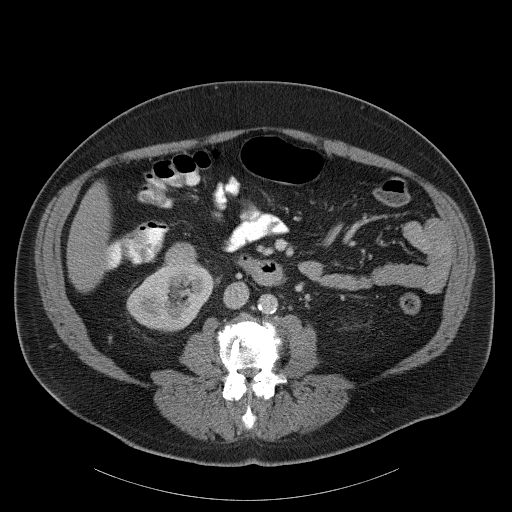
Contrast-enhanced abdominal CT, axial slice 57 of 107 (counted from the lowest slice); tube voltage 120 kVp, convolution kernel B31f; slices 5.00 mm thick, 0.941 mm per pixel.
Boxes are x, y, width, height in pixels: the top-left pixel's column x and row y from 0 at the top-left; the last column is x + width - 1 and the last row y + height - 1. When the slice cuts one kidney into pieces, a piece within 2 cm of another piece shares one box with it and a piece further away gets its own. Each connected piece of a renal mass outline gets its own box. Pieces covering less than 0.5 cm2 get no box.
Two boxes on this slice (one kidney box and one renal mass box), listed by box centre from the image's left to its right. (1) Box x 126, y 262, width 89, height 71: right kidney (outlined area 4,138 px, about 36.7 cm2). (2) Right renal mass, box x 164, y 242, width 34, height 33 (outlined area 855 px, about 7.6 cm2).